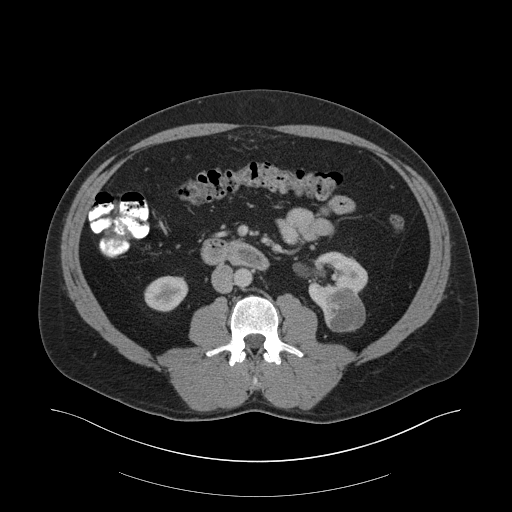
Axial slice 95 of 159 of a contrast-enhanced abdominal CT in the arterial phase (slice 1 is the lowest), 140 kVp, kernel B30f; 3.00 mm slice thickness and 0.977 mm pixels.
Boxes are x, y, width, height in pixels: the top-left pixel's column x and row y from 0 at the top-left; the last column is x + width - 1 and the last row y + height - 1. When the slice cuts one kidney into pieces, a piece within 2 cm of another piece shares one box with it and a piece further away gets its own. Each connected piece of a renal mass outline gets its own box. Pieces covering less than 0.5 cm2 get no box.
Boxed on this slice (two kidney boxes and one renal mass box), listed by box centre from the image's left to its right: (1) Right kidney, box x 144, y 275, width 45, height 37 (outlined area 1,242 px, about 11.8 cm2). (2) Left kidney at x 308, y 251, width 60, height 59 (outlined area 2,134 px, about 20.4 cm2). (3) Left renal mass at x 322, y 293, width 44, height 40 (outlined area 1,352 px, about 12.9 cm2).